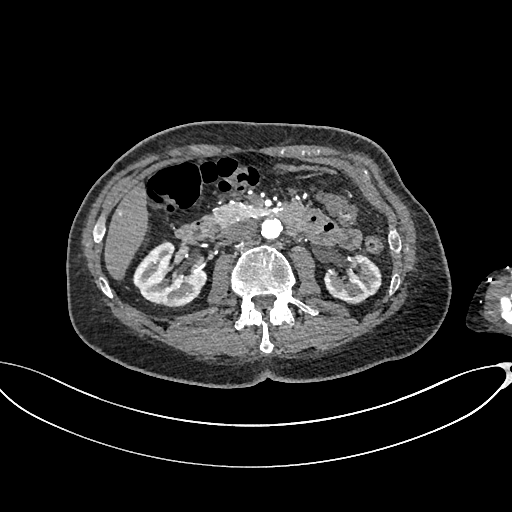
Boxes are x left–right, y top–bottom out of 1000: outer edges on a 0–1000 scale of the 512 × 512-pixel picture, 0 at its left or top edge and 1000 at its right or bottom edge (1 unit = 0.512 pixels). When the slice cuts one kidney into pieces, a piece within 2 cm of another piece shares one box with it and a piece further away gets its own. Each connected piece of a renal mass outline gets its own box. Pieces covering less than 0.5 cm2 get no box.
This is axial slice 386 of 665 (slice 1 is the lowest) of an arterial-phase abdominal CT with contrast; each pixel is 0.828 mm and the slice is 1.00 mm thick. Two kidney boxes on this slice; by box centre, from the image's left to its right: (1) Right kidney, box x 258–406, y 471–602 out of 1000 (outlined area 3,394 px, about 23.3 cm2). (2) Left kidney, box x 633–746, y 496–596 out of 1000 (outlined area 2,038 px, about 14.0 cm2). This slice carries no renal mass outline.
Acquired at 100 kVp and reconstructed with the I26f kernel.